Arterial-phase contrast-enhanced abdominal CT, axial slice 462 of 665 (counted from the lowest slice); tube voltage 100 kVp, convolution kernel I26f; slices 1.00 mm thick, 0.828 mm per pixel.
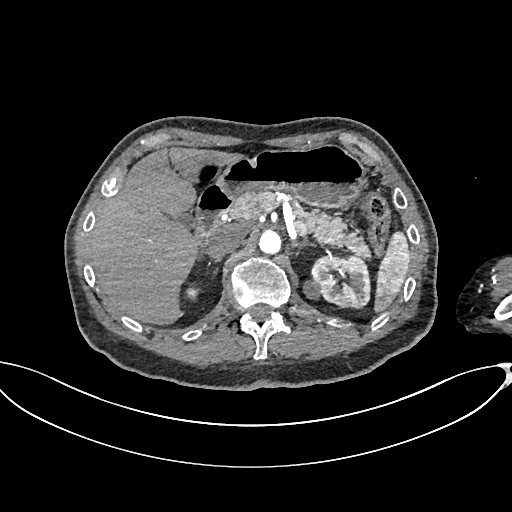
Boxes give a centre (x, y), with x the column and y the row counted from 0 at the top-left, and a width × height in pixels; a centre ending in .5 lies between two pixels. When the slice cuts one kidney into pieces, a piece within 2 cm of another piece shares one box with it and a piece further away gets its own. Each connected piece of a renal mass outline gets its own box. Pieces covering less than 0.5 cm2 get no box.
Two kidney boxes and one renal mass box on this slice; by box centre, from the image's left to its right: (1) Right kidney, box centre (193, 292), 17 × 19 pixels (outlined area 186 px, about 1.3 cm2). (2) Left renal mass in a box with centre (312, 289), 19 × 21 pixels (outlined area 281 px, about 1.9 cm2). (3) Box centre (340.5, 281.5), 60 × 54 pixels: left kidney (outlined area 2,540 px, about 17.4 cm2).